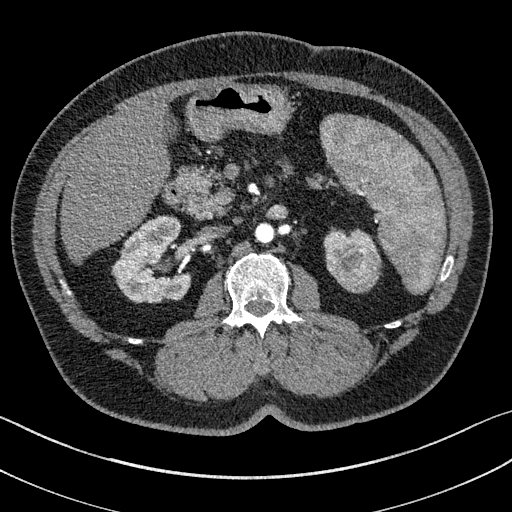
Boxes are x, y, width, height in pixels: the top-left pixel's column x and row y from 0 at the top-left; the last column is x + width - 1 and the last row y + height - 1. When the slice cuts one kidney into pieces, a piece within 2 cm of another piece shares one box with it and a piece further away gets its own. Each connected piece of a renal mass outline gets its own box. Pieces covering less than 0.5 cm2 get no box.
Slice 89/195 of a contrast-enhanced abdominal CT in the arterial phase, counting up from the lowest; pixel size 0.707 mm, slice thickness 1.50 mm. Two kidney boxes and one renal mass box on this slice; by box centre, from the image's left to its right: (1) Box x 112, y 216, width 79, height 87: right kidney (outlined area 4,755 px, about 23.8 cm2). (2) Left kidney at x 324, y 229, width 52, height 49 (outlined area 888 px, about 4.4 cm2). (3) Box x 334, y 243, width 48, height 50: left renal mass (outlined area 1,915 px, about 9.6 cm2).
Tube voltage 100 kVp; convolution kernel I31f.